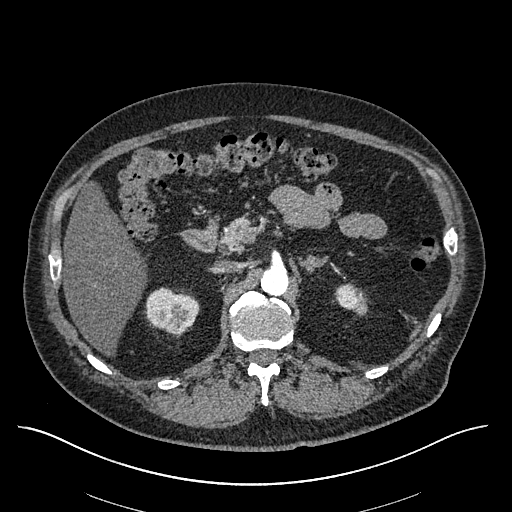
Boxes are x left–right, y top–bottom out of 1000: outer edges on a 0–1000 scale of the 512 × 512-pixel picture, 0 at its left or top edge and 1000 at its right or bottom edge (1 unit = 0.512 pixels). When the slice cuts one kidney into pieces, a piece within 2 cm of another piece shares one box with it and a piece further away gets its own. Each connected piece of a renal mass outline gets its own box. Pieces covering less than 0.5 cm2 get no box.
This is axial slice 391 of 670 (slice 1 is the lowest) of an arterial-phase abdominal CT with contrast; each pixel is 0.861 mm and the slice is 1.00 mm thick. Two kidney boxes on this slice; by box centre, from the image's left to its right: (1) Box x 283–389, y 561–654 out of 1000: right kidney (outlined area 1,870 px, about 13.9 cm2). (2) Box x 654–713, y 555–611 out of 1000: left kidney (outlined area 615 px, about 4.6 cm2). No renal mass is outlined on this slice.
Tube voltage 120 kVp; convolution kernel I30f.